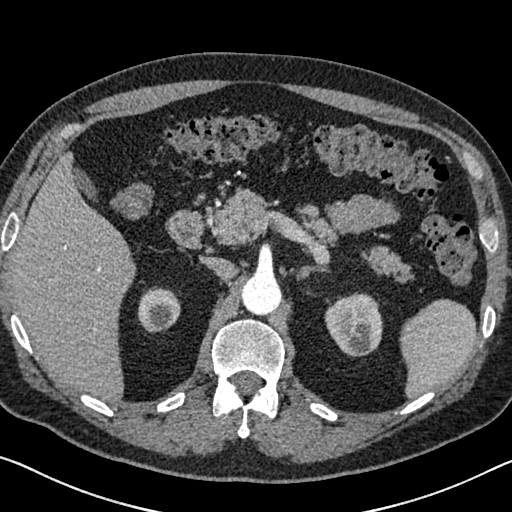
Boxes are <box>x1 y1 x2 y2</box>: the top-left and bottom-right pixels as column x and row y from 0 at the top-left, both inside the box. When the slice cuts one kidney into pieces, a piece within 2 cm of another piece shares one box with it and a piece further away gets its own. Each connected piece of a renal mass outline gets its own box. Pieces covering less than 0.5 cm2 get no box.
This is axial slice 472 of 626 (slice 1 is the lowest) of an arterial-phase abdominal CT with contrast; each pixel is 0.703 mm and the slice is 1.00 mm thick. Boxed on this slice (two kidney boxes), listed by box centre from the image's left to its right: (1) At <box>137 286 180 332</box>: right kidney (outlined area 1,545 px, about 7.6 cm2). (2) Left kidney: <box>324 292 382 356</box> (outlined area 2,861 px, about 14.1 cm2). This slice carries no renal mass outline.
Scan settings: 120 kVp, I30f reconstruction kernel.